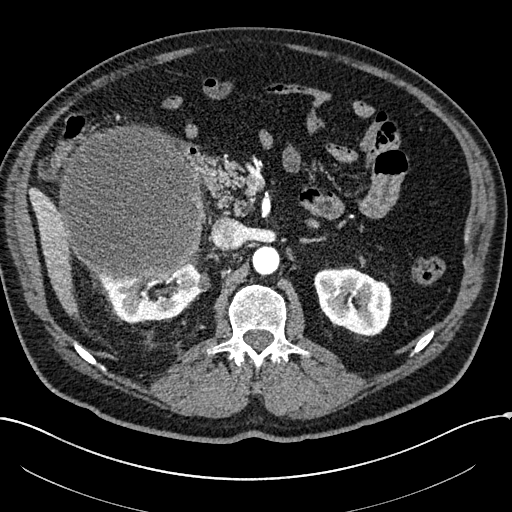
Abdominal CT with intravenous contrast, arterial phase, axial plane, 100 kVp, kernel I30f. Slice 138/304 from the bottom of the scan; thickness 2.00 mm; pixel size 0.809 mm.
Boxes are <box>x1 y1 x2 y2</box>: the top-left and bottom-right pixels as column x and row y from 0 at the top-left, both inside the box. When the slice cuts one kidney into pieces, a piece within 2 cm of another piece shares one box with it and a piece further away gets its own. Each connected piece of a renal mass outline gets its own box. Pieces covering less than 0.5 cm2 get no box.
Boxed on this slice (two kidney boxes and one renal mass box), listed by box centre from the image's left to its right: (1) Right renal mass: <box>58 125 206 282</box> (outlined area 18,516 px, about 121.1 cm2). (2) Right kidney at <box>99 257 210 323</box> (outlined area 3,830 px, about 25.0 cm2). (3) At <box>314 268 392 336</box>: left kidney (outlined area 4,105 px, about 26.8 cm2).